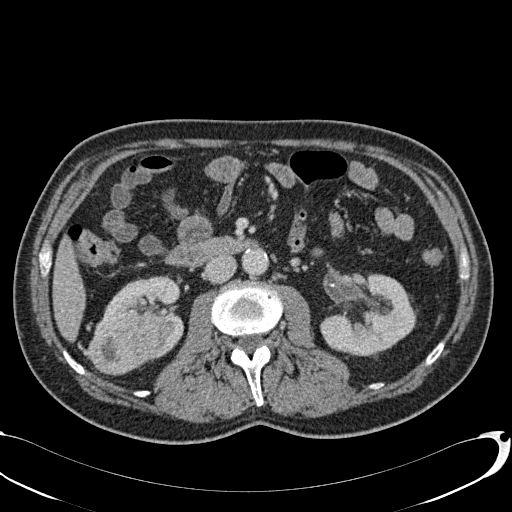
One axial slice (35 of 113, counting up from the lowest) of a contrast-enhanced abdominal CT acquired with 120 kVp, kernel B31f; each pixel is 0.742 mm and the slice is 2.00 mm thick.
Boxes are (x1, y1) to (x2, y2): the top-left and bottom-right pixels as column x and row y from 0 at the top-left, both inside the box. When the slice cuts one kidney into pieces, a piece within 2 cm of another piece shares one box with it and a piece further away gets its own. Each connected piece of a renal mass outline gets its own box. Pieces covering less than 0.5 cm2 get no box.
Boxed on this slice (two kidney boxes and one renal mass box), listed by box centre from the image's left to its right: (1) Right renal mass from (87, 310) to (169, 375) (outlined area 3,856 px, about 21.2 cm2). (2) Box (102, 275) to (183, 361): right kidney (outlined area 2,906 px, about 16.0 cm2). (3) Box (320, 273) to (417, 356): left kidney (outlined area 5,294 px, about 29.2 cm2).